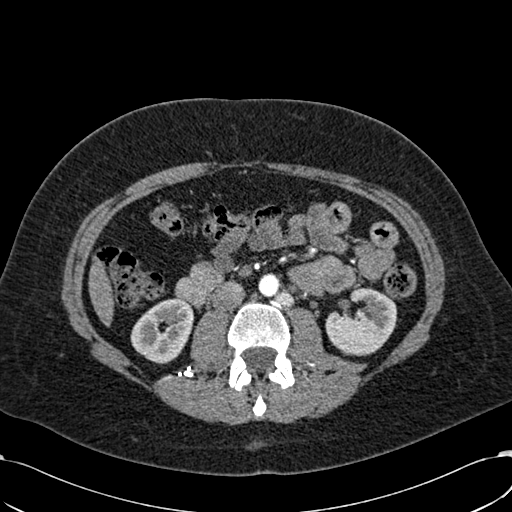
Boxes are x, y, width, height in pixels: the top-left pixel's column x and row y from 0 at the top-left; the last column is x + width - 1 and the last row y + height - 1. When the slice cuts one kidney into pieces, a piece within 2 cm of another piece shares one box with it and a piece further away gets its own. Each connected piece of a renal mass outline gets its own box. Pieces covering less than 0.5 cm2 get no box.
Arterial-phase contrast-enhanced abdominal CT, axial slice 310 of 532 (counted from the lowest slice); 1.00 mm thick, 0.713 mm per pixel. Boxed on this slice (two kidney boxes), listed by box centre from the image's left to its right: (1) Right kidney at x 130, y 298, width 65, height 66 (outlined area 3,000 px, about 15.2 cm2). (2) Left kidney at x 325, y 287, width 73, height 70 (outlined area 3,547 px, about 18.0 cm2). This slice carries no renal mass outline.
Tube voltage 120 kVp; convolution kernel B30f.